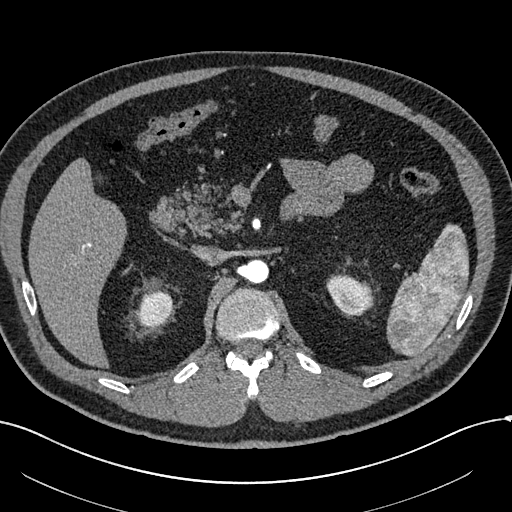
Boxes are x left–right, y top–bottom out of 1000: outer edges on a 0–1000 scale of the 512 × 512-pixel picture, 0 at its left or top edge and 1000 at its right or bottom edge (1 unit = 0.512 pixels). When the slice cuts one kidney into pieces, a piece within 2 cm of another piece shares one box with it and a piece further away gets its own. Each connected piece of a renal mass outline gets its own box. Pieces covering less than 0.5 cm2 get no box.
This is axial slice 409 of 602 (slice 1 is the lowest) of an arterial-phase abdominal CT with contrast; each pixel is 0.799 mm and the slice is 1.00 mm thick. Two kidney boxes on this slice; by box centre, from the image's left to its right: (1) Right kidney, box x 264–340, y 568–643 out of 1000 (outlined area 1,114 px, about 7.1 cm2). (2) Box x 637–727, y 535–617 out of 1000: left kidney (outlined area 1,389 px, about 8.9 cm2). This slice carries no renal mass outline.
Scan settings: 120 kVp, I30f reconstruction kernel.